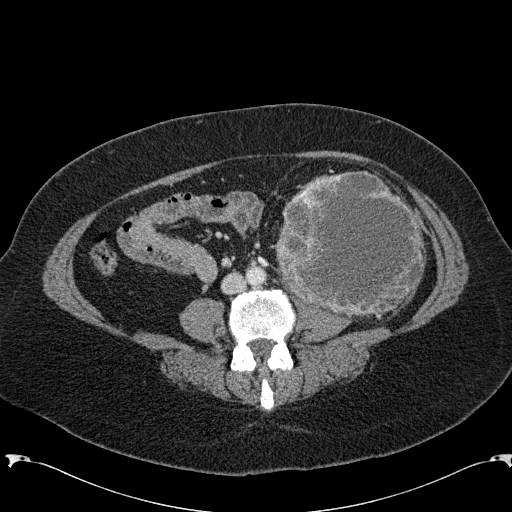
Arterial-phase contrast-enhanced abdominal CT, axial slice 59 of 285 (counted from the lowest slice); tube voltage 120 kVp, convolution kernel B31f; slices 2.00 mm thick, 0.762 mm per pixel.
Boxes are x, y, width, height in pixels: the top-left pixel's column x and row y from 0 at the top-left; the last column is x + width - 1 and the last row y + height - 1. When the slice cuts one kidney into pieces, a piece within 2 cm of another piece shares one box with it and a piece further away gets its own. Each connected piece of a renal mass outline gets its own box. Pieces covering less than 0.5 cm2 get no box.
Left renal mass, box x 274, y 171, width 152, height 149 (outlined area 17,339 px, about 100.6 cm2); no kidney outline appears on this slice, but the same outlined renal mass comes within 1 cm of the kidney on another slice.